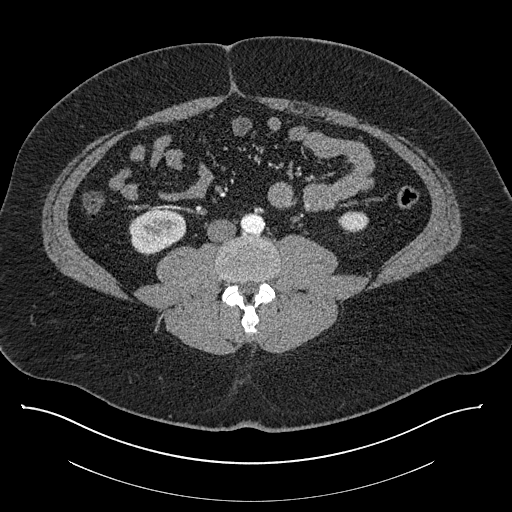
Axial slice 349 of 787 of a contrast-enhanced abdominal CT (slice 1 is the lowest), 140 kVp, kernel I30f; 1.00 mm slice thickness and 0.910 mm pixels.
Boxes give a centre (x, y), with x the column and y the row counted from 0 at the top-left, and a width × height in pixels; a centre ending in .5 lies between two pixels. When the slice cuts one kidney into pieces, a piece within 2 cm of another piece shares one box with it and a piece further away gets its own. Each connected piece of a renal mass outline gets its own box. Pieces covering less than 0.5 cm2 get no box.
Two kidney boxes on this slice; by box centre, from the image's left to its right: (1) Right kidney, box centre (157.5, 231), 58 × 47 pixels (outlined area 2,052 px, about 17.0 cm2). (2) Left kidney in a box with centre (353, 222), 31 × 23 pixels (outlined area 529 px, about 4.4 cm2). This slice carries no renal mass outline.